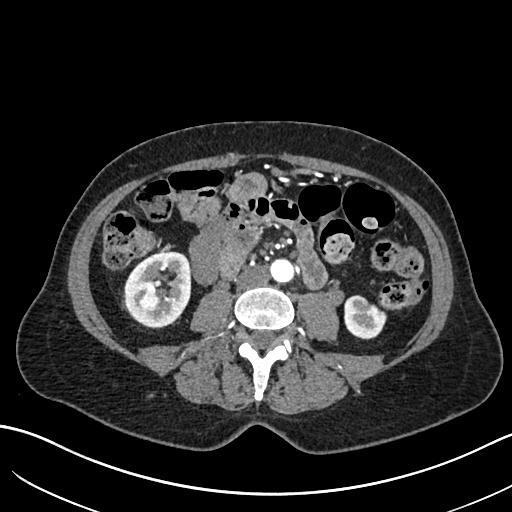
Axial slice 294 of 683 of a contrast-enhanced abdominal CT in the arterial phase (slice 1 is the lowest), 120 kVp, kernel I30f; 1.00 mm slice thickness and 0.738 mm pixels.
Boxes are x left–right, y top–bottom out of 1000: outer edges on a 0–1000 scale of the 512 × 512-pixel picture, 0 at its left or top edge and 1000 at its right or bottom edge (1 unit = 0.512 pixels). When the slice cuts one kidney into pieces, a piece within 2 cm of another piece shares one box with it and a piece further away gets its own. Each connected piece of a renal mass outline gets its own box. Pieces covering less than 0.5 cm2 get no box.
Boxed on this slice (two kidney boxes and one renal mass box), listed by box centre from the image's left to its right: (1) Right renal mass at x 268–316, y 564–607 out of 1000 (outlined area 419 px, about 2.3 cm2). (2) Box x 242–373, y 490–641 out of 1000: right kidney (outlined area 3,657 px, about 19.9 cm2). (3) Box x 672–756, y 576–664 out of 1000: left kidney (outlined area 1,413 px, about 7.7 cm2).